Arterial-phase contrast-enhanced abdominal CT, axial slice 356 of 527 (counted from the lowest slice); tube voltage 120 kVp, convolution kernel I30f; slices 1.00 mm thick, 0.859 mm per pixel.
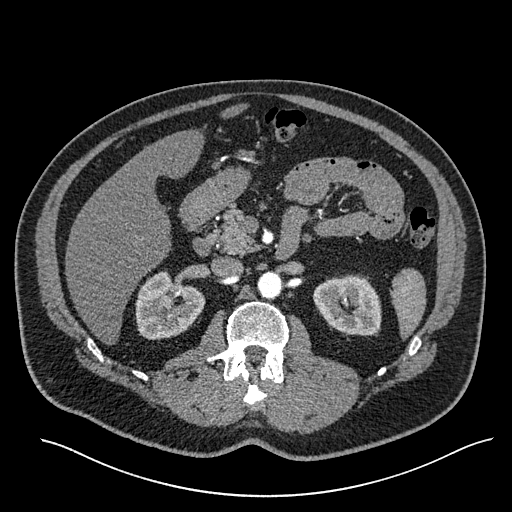
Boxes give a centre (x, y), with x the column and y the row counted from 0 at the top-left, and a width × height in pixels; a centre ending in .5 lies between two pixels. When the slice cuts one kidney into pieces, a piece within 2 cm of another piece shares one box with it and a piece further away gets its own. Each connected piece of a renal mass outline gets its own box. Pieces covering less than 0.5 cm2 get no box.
Three boxes on this slice (two kidney boxes and one renal mass box), listed by box centre from the image's left to its right. (1) Right renal mass, box centre (166, 302.5), 17 × 16 pixels (outlined area 217 px, about 1.6 cm2). (2) Box centre (170, 305), 71 × 69 pixels: right kidney (outlined area 3,301 px, about 24.4 cm2). (3) Left kidney, box centre (346.5, 305), 70 × 63 pixels (outlined area 3,325 px, about 24.6 cm2).